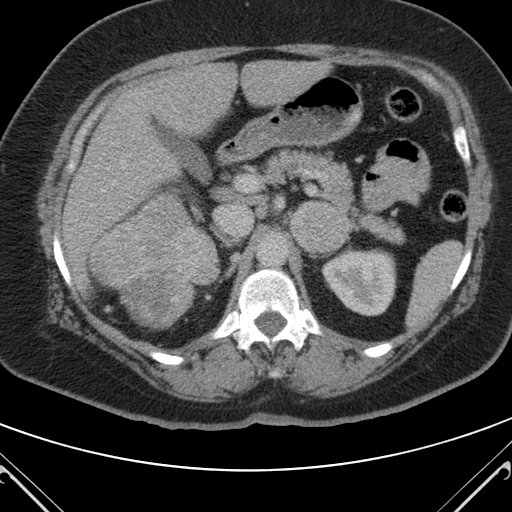
Axial slice 72 of 98 of a contrast-enhanced abdominal CT in the arterial phase (slice 1 is the lowest), 120 kVp, kernel B; 5.00 mm slice thickness and 0.703 mm pixels.
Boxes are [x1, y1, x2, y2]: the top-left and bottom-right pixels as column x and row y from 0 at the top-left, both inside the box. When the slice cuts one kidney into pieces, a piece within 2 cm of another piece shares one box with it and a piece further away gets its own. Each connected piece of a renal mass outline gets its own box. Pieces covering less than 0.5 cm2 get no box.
Two boxes on this slice (one kidney box and one renal mass box), listed by box centre from the image's left to its right. (1) Box [89, 190, 220, 330]: right renal mass (outlined area 11,515 px, about 56.9 cm2); here it is more than 1 cm from any kidney outline, though on another slice the same outlined renal mass lies within 1 cm of the kidney. (2) Left kidney, box [321, 248, 396, 316] (outlined area 3,932 px, about 19.4 cm2).